Abdominal CT with intravenous contrast, arterial phase, axial plane, 140 kVp, kernel I30f. Slice 522/673 from the bottom of the scan; thickness 1.00 mm; pixel size 0.957 mm.
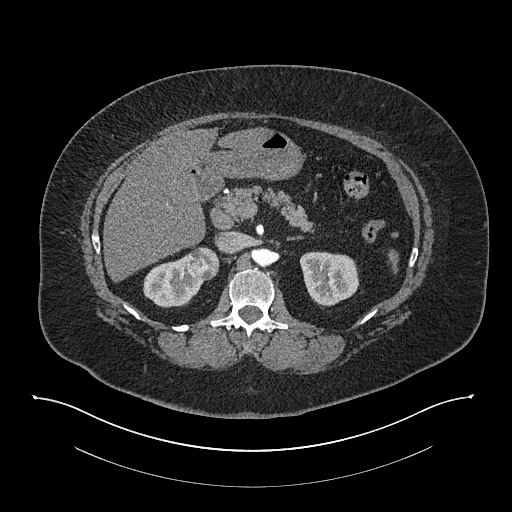
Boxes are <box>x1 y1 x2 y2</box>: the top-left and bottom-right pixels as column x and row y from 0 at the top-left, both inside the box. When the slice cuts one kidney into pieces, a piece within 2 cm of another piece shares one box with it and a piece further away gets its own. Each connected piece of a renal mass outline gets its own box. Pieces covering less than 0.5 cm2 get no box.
Three boxes on this slice (two kidney boxes and one renal mass box), listed by box centre from the image's left to its right. (1) Right kidney: <box>143 253 203 307</box> (outlined area 2,089 px, about 19.1 cm2). (2) At <box>187 247 219 280</box>: right renal mass (outlined area 892 px, about 8.2 cm2). (3) At <box>299 251 359 306</box>: left kidney (outlined area 2,574 px, about 23.6 cm2).